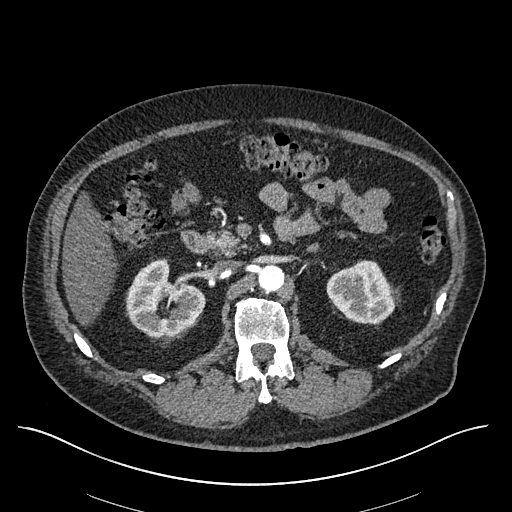
Arterial-phase contrast-enhanced abdominal CT, axial slice 365 of 670 (counted from the lowest slice); tube voltage 120 kVp, convolution kernel I30f; slices 1.00 mm thick, 0.861 mm per pixel.
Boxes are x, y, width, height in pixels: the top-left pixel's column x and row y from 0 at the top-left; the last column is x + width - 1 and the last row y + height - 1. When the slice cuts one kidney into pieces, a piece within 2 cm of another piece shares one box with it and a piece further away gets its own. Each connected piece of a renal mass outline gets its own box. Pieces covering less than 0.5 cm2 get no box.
Two kidney boxes on this slice; by box centre, from the image's left to its right: (1) Right kidney, box x 126, y 258, width 80, height 81 (outlined area 4,340 px, about 32.2 cm2). (2) Box x 326, y 259, width 75, height 66: left kidney (outlined area 3,352 px, about 24.9 cm2). This slice carries no renal mass outline.